Abdominal CT with intravenous contrast, axial plane, 120 kVp, kernel B30f. Slice 132/433 from the bottom of the scan; thickness 1.00 mm; pixel size 0.672 mm.
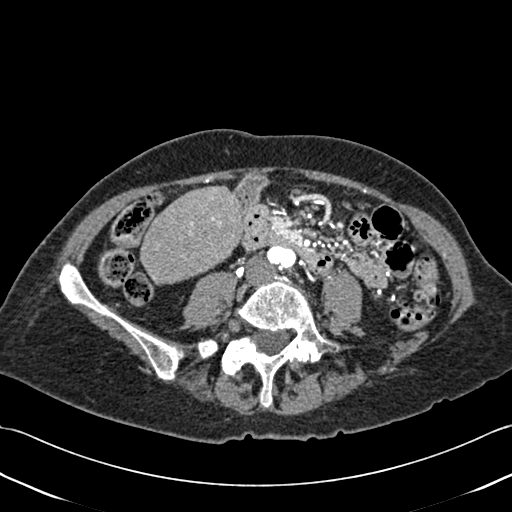
Neither a kidney nor a renal mass is outlined here. Only kidneys and renal masses are outlined anywhere in this scan; other structures are never outlined.